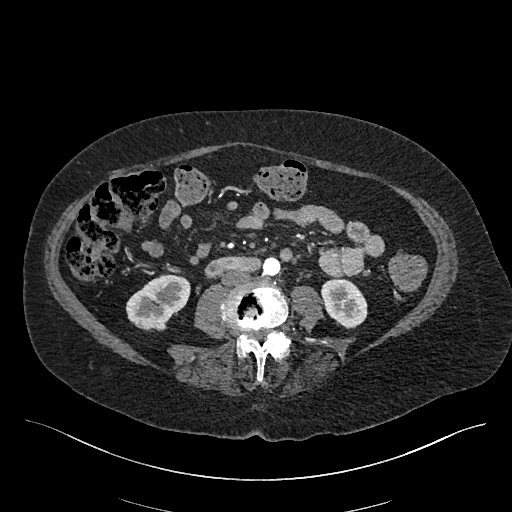
Arterial-phase contrast-enhanced abdominal CT, axial slice 177 of 548 (counted from the lowest slice); tube voltage 120 kVp, convolution kernel I26f; slices 1.00 mm thick, 0.852 mm per pixel.
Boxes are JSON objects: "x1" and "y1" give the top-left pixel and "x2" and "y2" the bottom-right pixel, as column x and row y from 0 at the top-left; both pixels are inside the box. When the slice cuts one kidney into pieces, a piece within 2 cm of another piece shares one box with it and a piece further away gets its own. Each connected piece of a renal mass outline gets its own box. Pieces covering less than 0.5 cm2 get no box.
Boxed on this slice (two kidney boxes), listed by box centre from the image's left to its right: (1) Right kidney at {"x1": 125, "y1": 274, "x2": 189, "y2": 330} (outlined area 2,531 px, about 18.4 cm2). (2) Left kidney, box {"x1": 321, "y1": 277, "x2": 367, "y2": 328} (outlined area 1,775 px, about 12.9 cm2). No renal mass outline on this slice.